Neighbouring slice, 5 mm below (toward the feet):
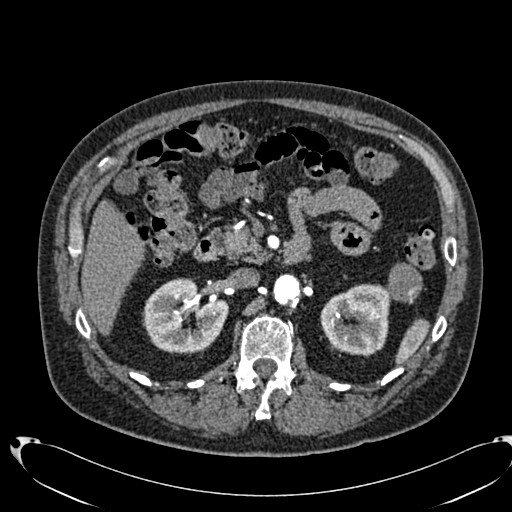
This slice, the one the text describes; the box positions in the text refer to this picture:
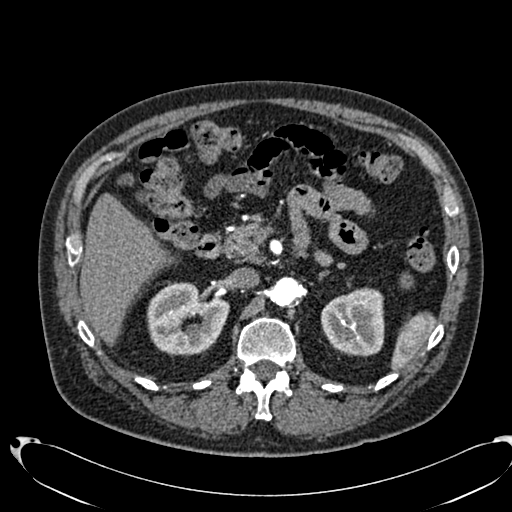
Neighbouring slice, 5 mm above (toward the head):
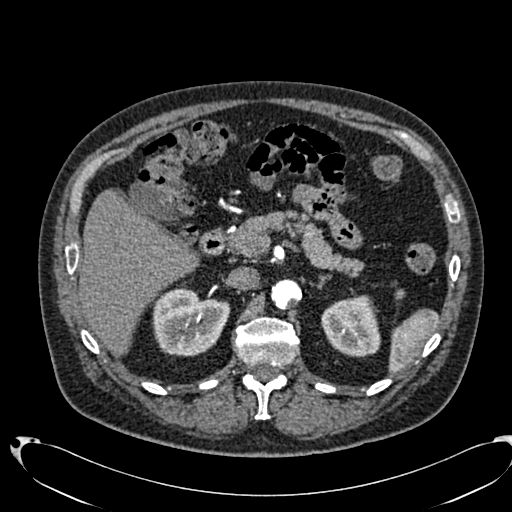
One axial slice (456 of 553, counting up from the lowest) of an arterial-phase abdominal CT acquired with 120 kVp, kernel B20f; each pixel is 0.773 mm and the slice is 1.00 mm thick.
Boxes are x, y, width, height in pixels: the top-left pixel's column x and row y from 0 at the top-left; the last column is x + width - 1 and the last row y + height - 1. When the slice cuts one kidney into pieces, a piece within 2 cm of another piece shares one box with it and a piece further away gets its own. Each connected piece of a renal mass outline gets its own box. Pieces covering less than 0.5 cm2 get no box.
Three boxes on this slice (two kidney boxes and one renal mass box), listed by box centre from the image's left to its right. (1) Right kidney, box x 147, y 281, width 83, height 76 (outlined area 4,565 px, about 27.3 cm2). (2) Left kidney, box x 321, y 287, width 64, height 70 (outlined area 3,548 px, about 21.2 cm2). (3) Box x 400, y 272, width 13, height 17: left renal mass (outlined area 168 px, about 1.0 cm2); on this slice it lies more than 1 cm from any kidney outline, but the same outlined renal mass comes within 1 cm of the kidney on another slice. This slice is near the end of the left renal mass toward the head, so the slices 5 mm below and 5 mm above it are shown as well; the boxes refer to this slice only.